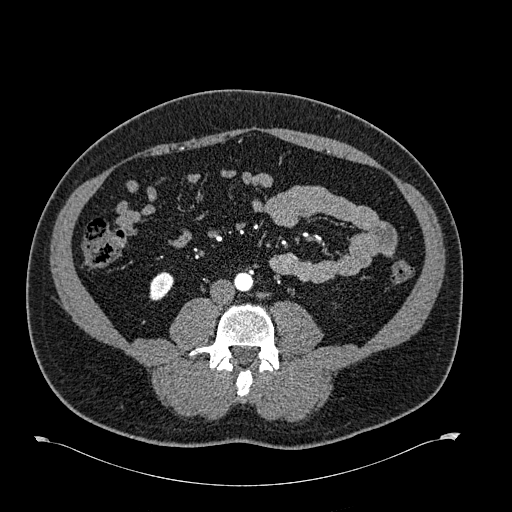
Abdominal CT with intravenous contrast, arterial phase, axial plane, 120 kVp, kernel B30f. Slice 253/723 from the bottom of the scan; thickness 1.00 mm; pixel size 0.895 mm.
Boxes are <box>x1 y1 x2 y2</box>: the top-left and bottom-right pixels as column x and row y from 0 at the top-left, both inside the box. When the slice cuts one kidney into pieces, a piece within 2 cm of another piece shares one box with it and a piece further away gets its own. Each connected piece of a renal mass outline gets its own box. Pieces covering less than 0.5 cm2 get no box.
Right kidney: <box>149 271 173 300</box> (outlined area 533 px, about 4.3 cm2). This slice carries no renal mass outline.